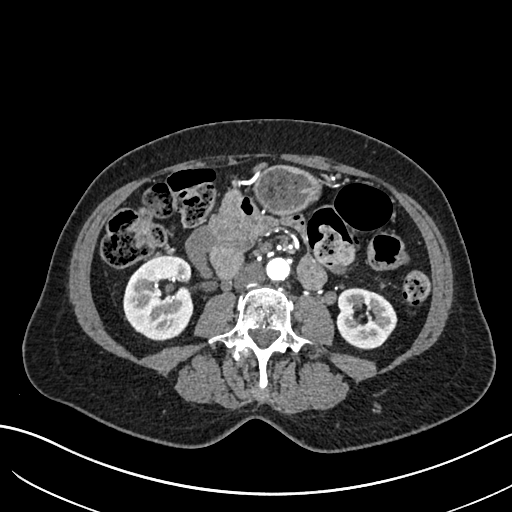
Axial slice 315 of 683 of a contrast-enhanced abdominal CT in the arterial phase (slice 1 is the lowest), 120 kVp, kernel I30f; 1.00 mm slice thickness and 0.738 mm pixels.
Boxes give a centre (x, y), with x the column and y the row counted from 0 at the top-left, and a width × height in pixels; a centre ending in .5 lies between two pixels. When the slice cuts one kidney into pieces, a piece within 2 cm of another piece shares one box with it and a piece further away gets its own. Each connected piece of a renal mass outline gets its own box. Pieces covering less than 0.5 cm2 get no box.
Boxed on this slice (two kidney boxes), listed by box centre from the image's left to its right: (1) Right kidney in a box with centre (158, 298), 71 × 87 pixels (outlined area 4,737 px, about 25.8 cm2). (2) Left kidney, box centre (367.5, 318), 60 × 63 pixels (outlined area 2,850 px, about 15.5 cm2). No renal mass is outlined on this slice.